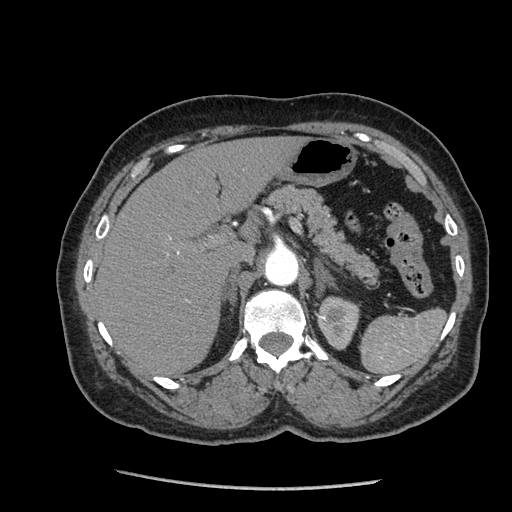
Abdominal CT with intravenous contrast, arterial phase, axial plane, 120 kVp, kernel STANDARD. Slice 161/233 from the bottom of the scan; thickness 1.25 mm; pixel size 0.703 mm.
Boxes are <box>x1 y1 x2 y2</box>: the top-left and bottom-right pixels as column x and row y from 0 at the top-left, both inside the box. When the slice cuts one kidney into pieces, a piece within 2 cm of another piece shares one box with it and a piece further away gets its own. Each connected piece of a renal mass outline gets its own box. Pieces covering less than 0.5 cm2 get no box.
Left kidney at <box>317 295 359 350</box> (outlined area 1,732 px, about 8.6 cm2). This slice carries no renal mass outline.